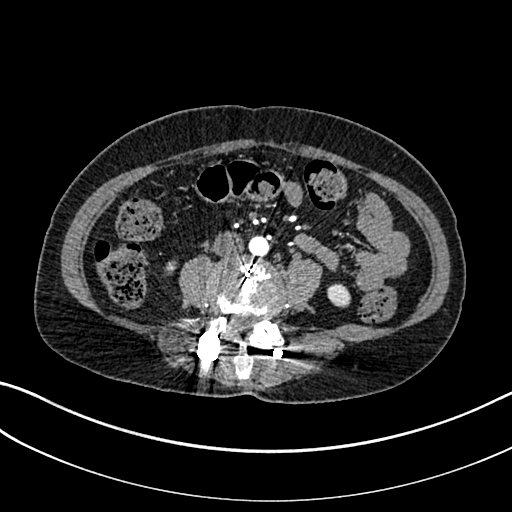
Arterial-phase contrast-enhanced abdominal CT, axial slice 52 of 325 (counted from the lowest slice); tube voltage 100 kVp, convolution kernel I30f; slices 1.00 mm thick, 0.703 mm per pixel.
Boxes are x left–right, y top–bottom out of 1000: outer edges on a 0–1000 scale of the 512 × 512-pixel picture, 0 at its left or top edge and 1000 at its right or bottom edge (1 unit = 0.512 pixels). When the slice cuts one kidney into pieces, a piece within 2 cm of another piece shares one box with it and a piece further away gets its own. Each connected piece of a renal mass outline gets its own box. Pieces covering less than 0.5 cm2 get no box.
Boxed on this slice (two kidney boxes), listed by box centre from the image's left to its right: (1) Box x 320–346, y 508–537 out of 1000: right kidney (outlined area 131 px, about 0.6 cm2). (2) Box x 639–686, y 553–602 out of 1000: left kidney (outlined area 465 px, about 2.3 cm2). No renal mass is outlined on this slice.